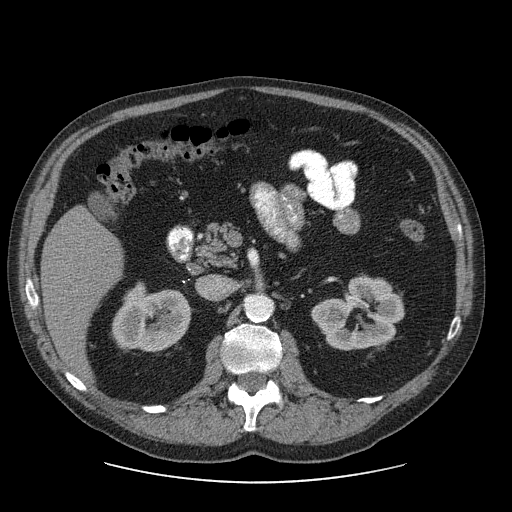
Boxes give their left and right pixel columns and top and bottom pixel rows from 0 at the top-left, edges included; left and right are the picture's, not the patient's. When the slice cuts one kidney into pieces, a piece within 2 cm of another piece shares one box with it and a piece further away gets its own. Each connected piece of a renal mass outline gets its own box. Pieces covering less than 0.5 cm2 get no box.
This is axial slice 47 of 103 (slice 1 is the lowest) of an abdominal CT with contrast; each pixel is 0.820 mm and the slice is 2.50 mm thick. Two boxes on this slice (two kidney boxes), listed by box centre from the image's left to its right. (1) Box with left 111, top 286, right 191, bottom 351: right kidney (outlined area 4,016 px, about 27.0 cm2). (2) Left kidney, the box with left 311, top 275, right 404, bottom 350 (outlined area 4,688 px, about 31.5 cm2). This slice carries no renal mass outline.
Acquired at 120 kVp and reconstructed with the STANDARD kernel.